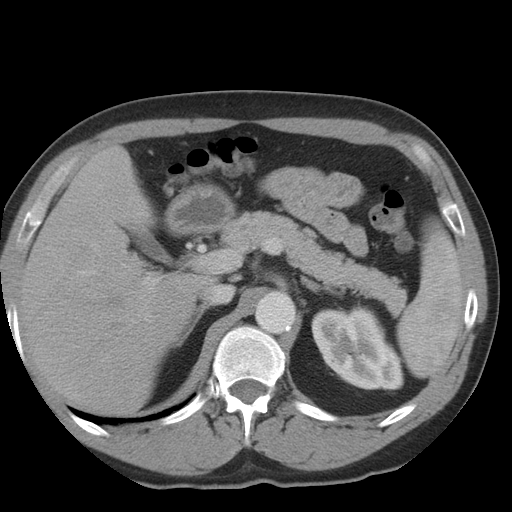
Axial slice 26 of 36 of a contrast-enhanced abdominal CT in the arterial phase (slice 1 is the lowest), 140 kVp, kernel STANDARD; 5.00 mm slice thickness and 0.703 mm pixels.
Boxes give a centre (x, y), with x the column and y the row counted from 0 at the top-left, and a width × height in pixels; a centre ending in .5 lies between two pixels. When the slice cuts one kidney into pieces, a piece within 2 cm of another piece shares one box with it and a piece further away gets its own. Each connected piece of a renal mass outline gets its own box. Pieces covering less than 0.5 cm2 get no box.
Box centre (357, 347.5), 93 × 86 pixels: left kidney (outlined area 5,641 px, about 27.9 cm2). This slice carries no renal mass outline.